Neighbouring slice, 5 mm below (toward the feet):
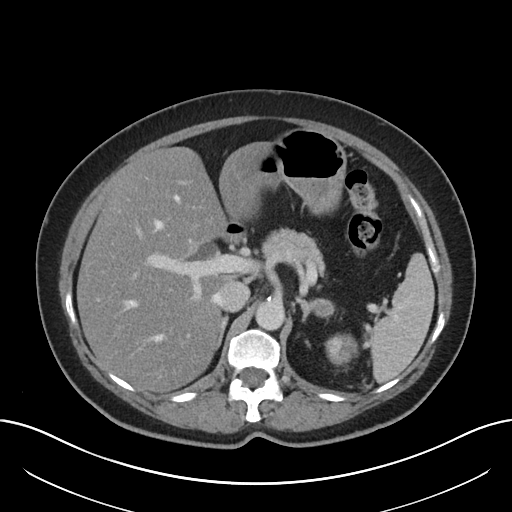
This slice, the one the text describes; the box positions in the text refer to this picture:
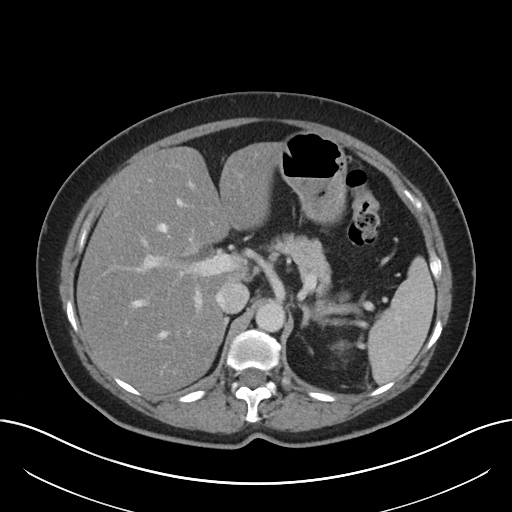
Contrast-enhanced abdominal CT, axial slice 142 of 197 (counted from the lowest slice); tube voltage 120 kVp, convolution kernel I30f; slices 5.00 mm thick, 0.791 mm per pixel.
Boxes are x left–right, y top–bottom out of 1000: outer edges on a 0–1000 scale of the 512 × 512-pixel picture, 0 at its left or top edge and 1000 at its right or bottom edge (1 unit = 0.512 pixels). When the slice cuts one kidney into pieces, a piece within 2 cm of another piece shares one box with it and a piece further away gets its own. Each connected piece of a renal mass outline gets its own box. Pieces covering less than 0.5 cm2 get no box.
Box x 646–688, y 666–686 out of 1000: left renal mass (outlined area 142 px, about 0.9 cm2); no kidney is outlined on this slice, but the same outlined renal mass comes within 1 cm of the kidney on another slice. This slice lies near the end of the left renal mass toward the head; the slice 5 mm below it is shown too, and the boxes mark positions on this slice only.